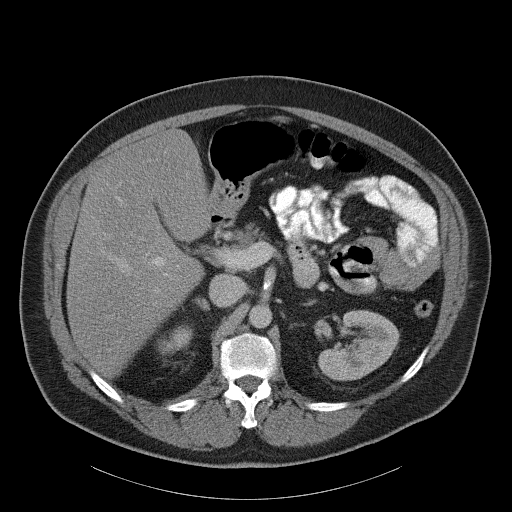
Axial slice 72 of 107 of a contrast-enhanced abdominal CT (slice 1 is the lowest), 120 kVp, kernel B31f; 5.00 mm slice thickness and 0.941 mm pixels.
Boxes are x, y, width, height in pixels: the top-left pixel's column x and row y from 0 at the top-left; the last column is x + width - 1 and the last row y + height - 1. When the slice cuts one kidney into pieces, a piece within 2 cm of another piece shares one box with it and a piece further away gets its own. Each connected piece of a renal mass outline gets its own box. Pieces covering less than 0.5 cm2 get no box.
Two kidney boxes on this slice; by box centre, from the image's left to its right: (1) Right kidney, box x 157, y 325, width 37, height 31 (outlined area 688 px, about 6.1 cm2). (2) Left kidney, box x 318, y 310, width 82, height 71 (outlined area 3,890 px, about 34.5 cm2). This slice carries no renal mass outline.